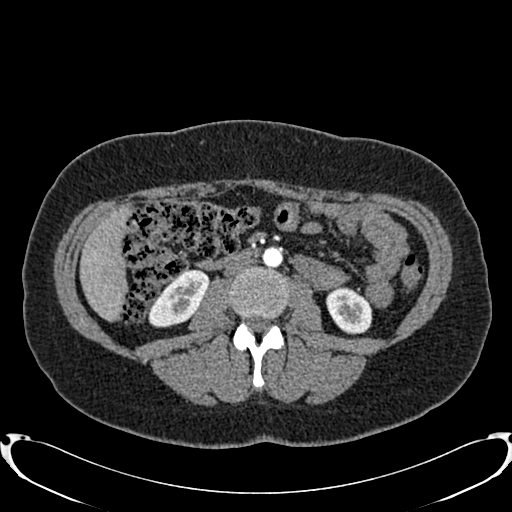
One axial slice (396 of 719, counting up from the lowest) of an arterial-phase abdominal CT acquired with 120 kVp, kernel B20f; each pixel is 0.766 mm and the slice is 1.00 mm thick.
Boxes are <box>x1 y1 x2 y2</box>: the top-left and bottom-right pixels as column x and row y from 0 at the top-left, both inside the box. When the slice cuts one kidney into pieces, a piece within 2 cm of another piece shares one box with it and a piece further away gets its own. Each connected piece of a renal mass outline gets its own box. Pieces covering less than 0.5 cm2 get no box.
Two boxes on this slice (two kidney boxes), listed by box centre from the image's left to its right. (1) Right kidney: <box>148 268 208 327</box> (outlined area 2,248 px, about 13.2 cm2). (2) At <box>326 287 372 333</box>: left kidney (outlined area 1,681 px, about 9.9 cm2). No renal mass is outlined on this slice.